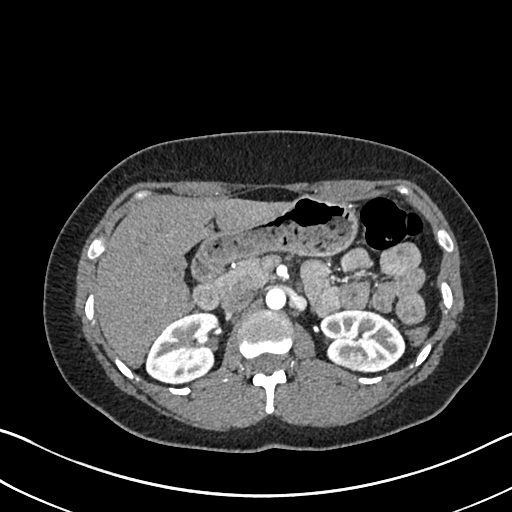
One axial slice (439 of 612, counting up from the lowest) of an arterial-phase abdominal CT acquired with 120 kVp, kernel I30f; each pixel is 0.703 mm and the slice is 1.00 mm thick.
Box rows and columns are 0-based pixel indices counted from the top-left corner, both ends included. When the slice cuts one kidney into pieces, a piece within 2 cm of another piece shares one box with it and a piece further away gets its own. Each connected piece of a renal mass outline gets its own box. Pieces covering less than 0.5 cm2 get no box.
Three boxes on this slice (two kidney boxes and one renal mass box), listed by box centre from the image's left to its right. (1) Box rows 312–384, columns 145–220: right kidney (outlined area 4,002 px, about 19.8 cm2). (2) Left renal mass at rows 351–371, columns 343–367 (outlined area 413 px, about 2.0 cm2). (3) Box rows 308–371, columns 318–405: left kidney (outlined area 3,806 px, about 18.8 cm2).